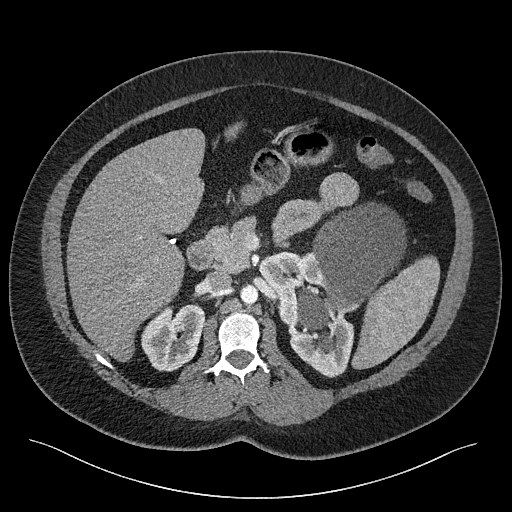
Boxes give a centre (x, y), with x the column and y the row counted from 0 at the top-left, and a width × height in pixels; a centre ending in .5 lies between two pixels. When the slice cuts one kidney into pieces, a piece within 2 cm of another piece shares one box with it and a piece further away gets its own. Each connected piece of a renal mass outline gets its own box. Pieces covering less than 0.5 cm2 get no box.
This is axial slice 151 of 301 (slice 1 is the lowest) of an abdominal CT with contrast; each pixel is 0.859 mm and the slice is 2.00 mm thick. Three boxes on this slice (two kidney boxes and one renal mass box), listed by box centre from the image's left to its right. (1) Box centre (173, 337), 65 × 69 pixels: right kidney (outlined area 3,224 px, about 23.8 cm2). (2) Left kidney, box centre (306, 314), 97 × 127 pixels (outlined area 5,326 px, about 39.3 cm2). (3) Left renal mass, box centre (351, 267.5), 111 × 132 pixels (outlined area 8,495 px, about 62.7 cm2).
Acquired at 120 kVp and reconstructed with the I40f kernel.